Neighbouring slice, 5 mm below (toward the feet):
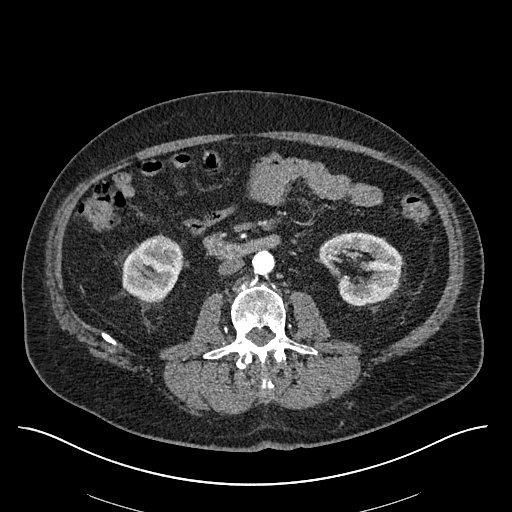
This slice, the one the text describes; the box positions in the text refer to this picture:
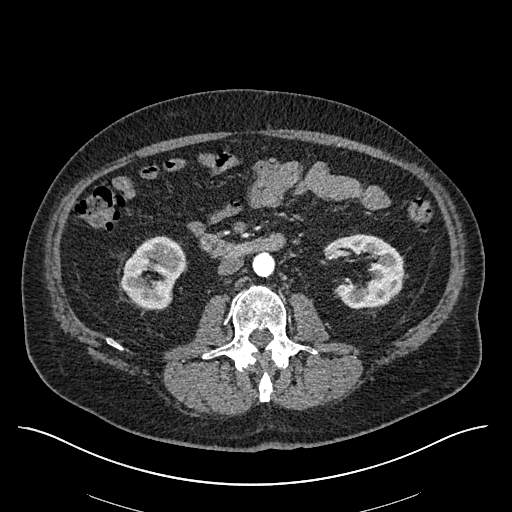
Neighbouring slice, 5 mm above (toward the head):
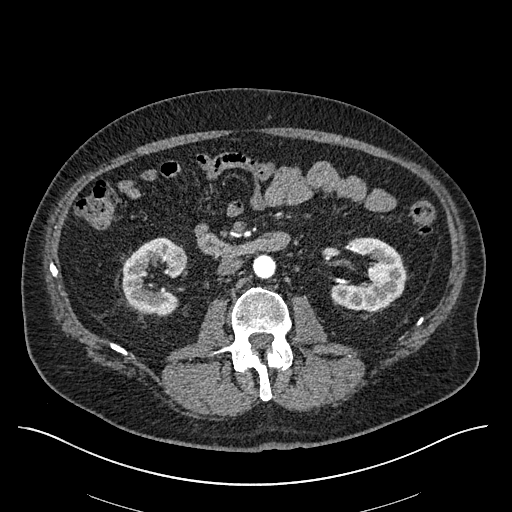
One axial slice (291 of 670, counting up from the lowest) of an arterial-phase abdominal CT acquired with 120 kVp, kernel I30f; each pixel is 0.861 mm and the slice is 1.00 mm thick.
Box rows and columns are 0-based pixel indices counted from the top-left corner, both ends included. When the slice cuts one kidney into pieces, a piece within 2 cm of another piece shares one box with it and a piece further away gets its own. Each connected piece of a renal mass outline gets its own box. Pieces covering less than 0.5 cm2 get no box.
Two kidney boxes and one renal mass box on this slice; by box centre, from the image's left to its right: (1) Box rows 236–310, columns 121–186: right kidney (outlined area 3,302 px, about 24.5 cm2). (2) Right renal mass at rows 250–260, columns 167–177 (outlined area 101 px, about 0.7 cm2). (3) Left kidney at rows 234–308, columns 332–403 (outlined area 3,635 px, about 27.0 cm2). This slice lies near the end of the right renal mass toward the feet; the slices 5 mm below and 5 mm above it are shown too, and the boxes mark positions on this slice only.